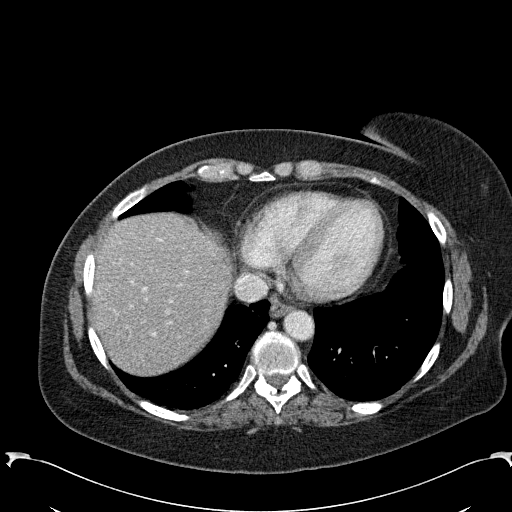
Slice 252/285 of a contrast-enhanced abdominal CT in the arterial phase, counting up from the lowest; pixel size 0.762 mm, slice thickness 2.00 mm. Outside the outlined region: no kidney outline and no renal mass outline on this slice. The scan's outlines cover only kidneys and renal masses; no other organ is outlined.
Scan settings: 120 kVp, B31f reconstruction kernel.